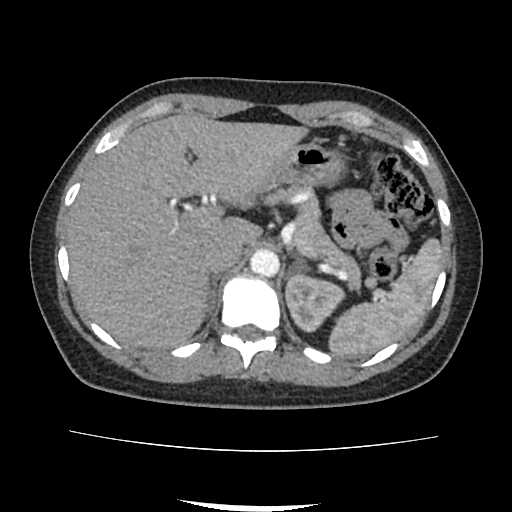
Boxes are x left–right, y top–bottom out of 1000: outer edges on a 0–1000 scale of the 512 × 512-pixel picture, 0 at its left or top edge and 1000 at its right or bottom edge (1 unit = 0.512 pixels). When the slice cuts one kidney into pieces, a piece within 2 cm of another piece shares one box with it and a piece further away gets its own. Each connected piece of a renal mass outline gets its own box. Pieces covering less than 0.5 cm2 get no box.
This is axial slice 73 of 103 (slice 1 is the lowest) of an abdominal CT with contrast; each pixel is 0.714 mm and the slice is 3.00 mm thick. Box x 557–676, y 533–650 out of 1000: left kidney (outlined area 2,491 px, about 12.7 cm2). No renal mass is outlined on this slice.
Tube voltage 120 kVp; convolution kernel FC18.